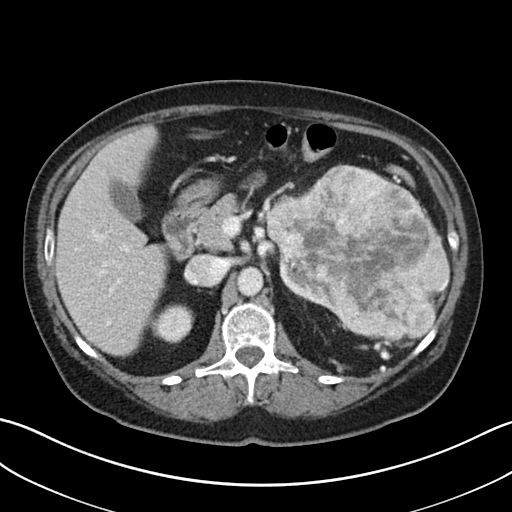
One axial slice (25 of 38, counting up from the lowest) of a contrast-enhanced abdominal CT acquired with 100 kVp, kernel I30f; each pixel is 0.730 mm and the slice is 5.00 mm thick.
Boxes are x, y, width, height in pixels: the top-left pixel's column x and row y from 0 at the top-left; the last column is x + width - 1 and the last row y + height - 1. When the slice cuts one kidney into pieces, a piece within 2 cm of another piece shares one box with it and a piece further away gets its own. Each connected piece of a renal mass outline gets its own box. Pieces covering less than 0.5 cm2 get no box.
Three boxes on this slice (two kidney boxes and one renal mass box), listed by box centre from the image's left to its right. (1) Right kidney at x 151, y 304, width 44, height 40 (outlined area 1,306 px, about 7.0 cm2). (2) Box x 277, y 254, width 65, height 69: left kidney (outlined area 1,273 px, about 6.8 cm2). (3) Box x 265, y 164, width 186, height 179: left renal mass (outlined area 21,912 px, about 116.9 cm2).